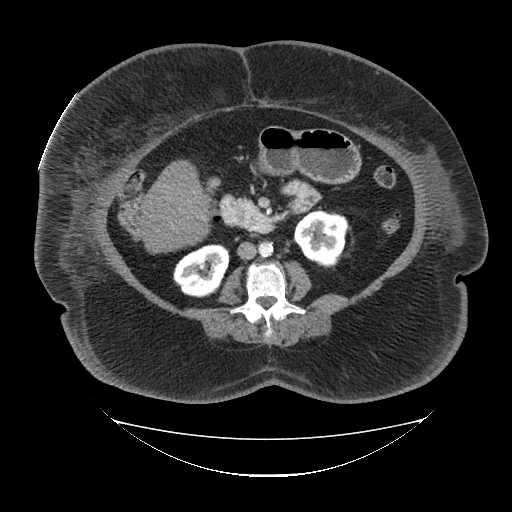
Axial slice 52 of 85 of a contrast-enhanced abdominal CT in the arterial phase (slice 1 is the lowest), 120 kVp, kernel FC19; 5.00 mm slice thickness and 1.041 mm pixels.
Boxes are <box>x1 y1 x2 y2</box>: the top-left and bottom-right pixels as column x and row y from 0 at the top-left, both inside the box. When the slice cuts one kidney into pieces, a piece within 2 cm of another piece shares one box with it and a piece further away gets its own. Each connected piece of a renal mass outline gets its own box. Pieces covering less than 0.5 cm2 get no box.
Boxed on this slice (two kidney boxes), listed by box centre from the image's left to its right: (1) At <box>173 244 229 297</box>: right kidney (outlined area 2,273 px, about 24.6 cm2). (2) At <box>294 210 347 267</box>: left kidney (outlined area 2,328 px, about 25.2 cm2). No renal mass outline on this slice.